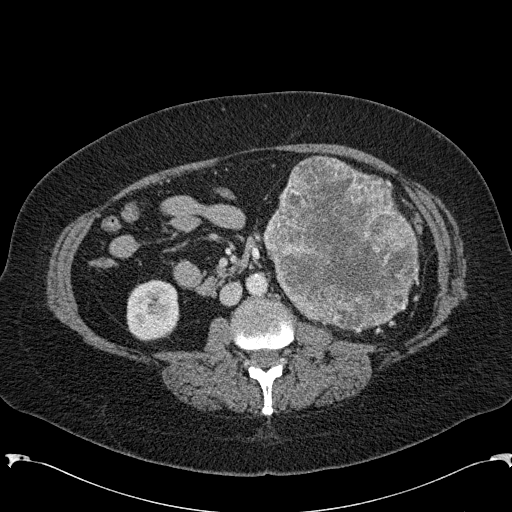
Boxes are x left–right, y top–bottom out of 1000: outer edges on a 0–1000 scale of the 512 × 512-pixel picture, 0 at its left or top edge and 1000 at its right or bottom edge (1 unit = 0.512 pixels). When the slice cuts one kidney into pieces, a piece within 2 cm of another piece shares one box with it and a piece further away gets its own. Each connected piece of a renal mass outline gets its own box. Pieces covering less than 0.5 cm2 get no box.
This is axial slice 105 of 285 (slice 1 is the lowest) of an arterial-phase abdominal CT with contrast; each pixel is 0.762 mm and the slice is 2.00 mm thick. One kidney box and one renal mass box on this slice; by box centre, from the image's left to its right: (1) Right kidney at x 246–352, y 545–668 out of 1000 (outlined area 2,719 px, about 15.8 cm2). (2) Box x 510–820, y 303–648 out of 1000: left renal mass (outlined area 20,176 px, about 117.1 cm2); on this slice it lies more than 1 cm from any kidney outline, but the same outlined renal mass comes within 1 cm of the kidney on another slice.
Tube voltage 120 kVp; convolution kernel B31f.